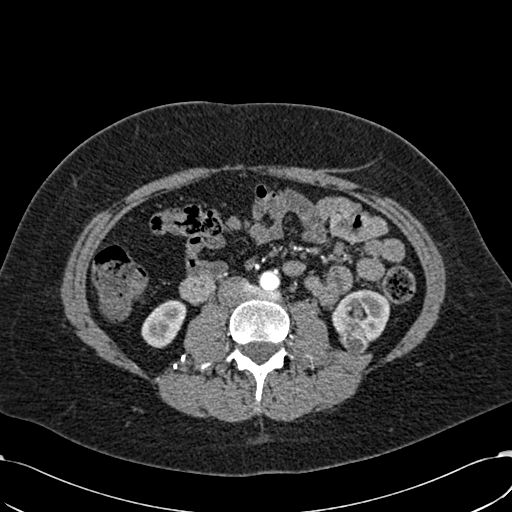
Abdominal CT with intravenous contrast, arterial phase, axial plane, 120 kVp, kernel B30f. Slice 282/532 from the bottom of the scan; thickness 1.00 mm; pixel size 0.713 mm.
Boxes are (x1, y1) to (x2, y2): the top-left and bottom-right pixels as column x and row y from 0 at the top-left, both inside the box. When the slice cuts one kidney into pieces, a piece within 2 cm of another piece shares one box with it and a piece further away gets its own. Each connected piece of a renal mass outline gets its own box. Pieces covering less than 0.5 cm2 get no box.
Boxed on this slice (two kidney boxes and one renal mass box), listed by box centre from the image's left to its right: (1) Right kidney, box (141, 300) to (186, 348) (outlined area 1,525 px, about 7.8 cm2). (2) Left renal mass from (339, 328) to (368, 354) (outlined area 578 px, about 2.9 cm2). (3) Box (332, 289) to (390, 342): left kidney (outlined area 2,151 px, about 10.9 cm2).